Arterial-phase contrast-enhanced abdominal CT, axial slice 155 of 548 (counted from the lowest slice); tube voltage 120 kVp, convolution kernel I26f; slices 1.00 mm thick, 0.852 mm per pixel.
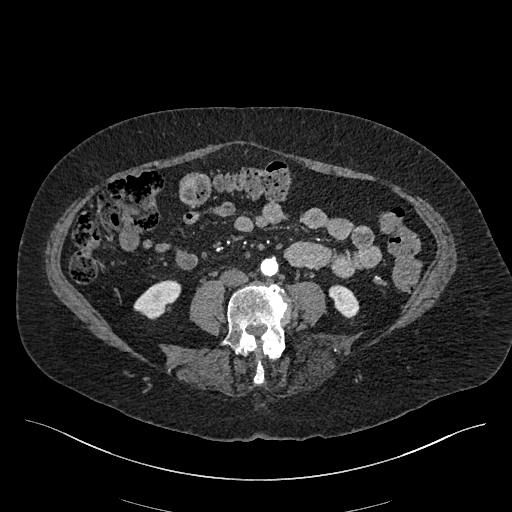
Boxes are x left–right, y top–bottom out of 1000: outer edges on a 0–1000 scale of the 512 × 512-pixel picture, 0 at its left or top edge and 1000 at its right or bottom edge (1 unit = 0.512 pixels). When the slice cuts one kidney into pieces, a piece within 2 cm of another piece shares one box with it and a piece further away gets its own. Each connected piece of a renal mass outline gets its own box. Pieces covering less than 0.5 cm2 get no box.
Boxed on this slice (two kidney boxes), listed by box centre from the image's left to its right: (1) Right kidney, box x 260–355, y 547–625 out of 1000 (outlined area 1,178 px, about 8.5 cm2). (2) Left kidney, box x 641–703, y 555–623 out of 1000 (outlined area 702 px, about 5.1 cm2). No renal mass outline on this slice.